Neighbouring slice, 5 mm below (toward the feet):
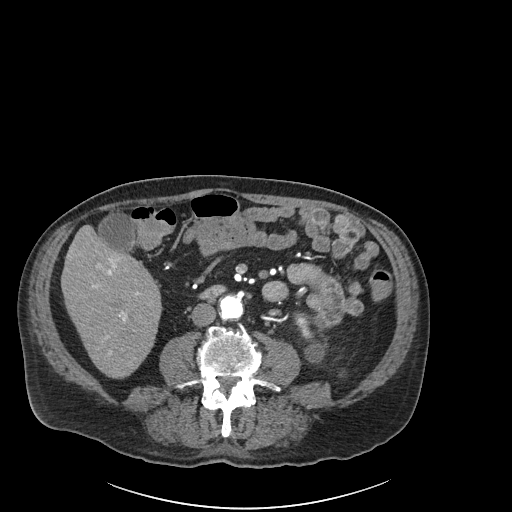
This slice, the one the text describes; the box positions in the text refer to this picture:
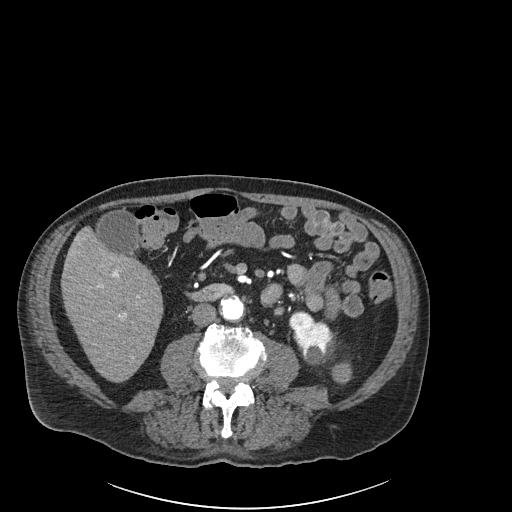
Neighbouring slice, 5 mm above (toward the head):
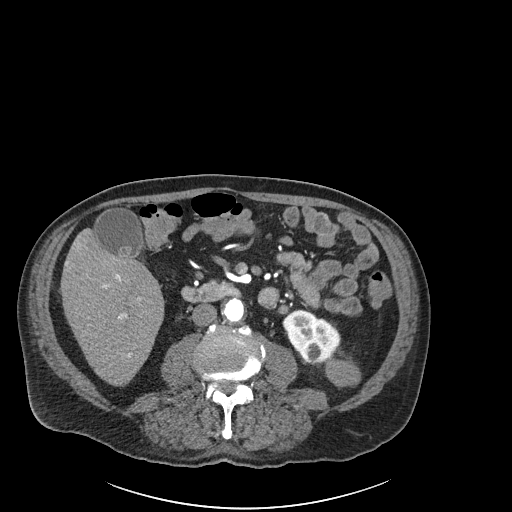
Axial slice 68 of 261 of a contrast-enhanced abdominal CT in the arterial phase (slice 1 is the lowest), 120 kVp, kernel I30f; 2.00 mm slice thickness and 0.939 mm pixels.
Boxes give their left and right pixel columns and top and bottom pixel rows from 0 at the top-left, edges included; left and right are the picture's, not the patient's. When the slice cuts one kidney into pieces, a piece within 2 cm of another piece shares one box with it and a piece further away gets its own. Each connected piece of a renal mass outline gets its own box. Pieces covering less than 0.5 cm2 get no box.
Boxed on this slice (one kidney box and one renal mass box), listed by box centre from the image's left to its right: (1) Box with left 289, top 311, right 333, bottom 364: left kidney (outlined area 1,562 px, about 13.8 cm2). (2) Box with left 331, top 363, right 352, bottom 383: left renal mass (outlined area 371 px, about 3.3 cm2); it sits over 1 cm from every kidney outline on this slice, but the same outlined renal mass comes within 1 cm of the kidney on another slice. This slice lies near the end of the left renal mass toward the feet; the slices 5 mm below and 5 mm above it are shown too, and the boxes mark positions on this slice only.